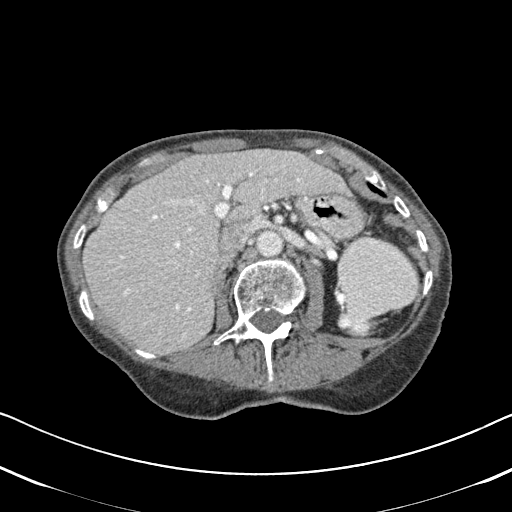
One axial slice (319 of 620, counting up from the lowest) of an arterial-phase abdominal CT acquired with 120 kVp, kernel B31f; each pixel is 0.637 mm and the slice is 2.00 mm thick.
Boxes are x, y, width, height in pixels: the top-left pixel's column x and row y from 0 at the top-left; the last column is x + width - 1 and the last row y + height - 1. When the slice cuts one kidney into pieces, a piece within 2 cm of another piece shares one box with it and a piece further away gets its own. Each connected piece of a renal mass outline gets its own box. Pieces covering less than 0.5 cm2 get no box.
Left kidney at x 344, y 319, width 24, height 13 (outlined area 232 px, about 0.9 cm2). No renal mass outline on this slice.